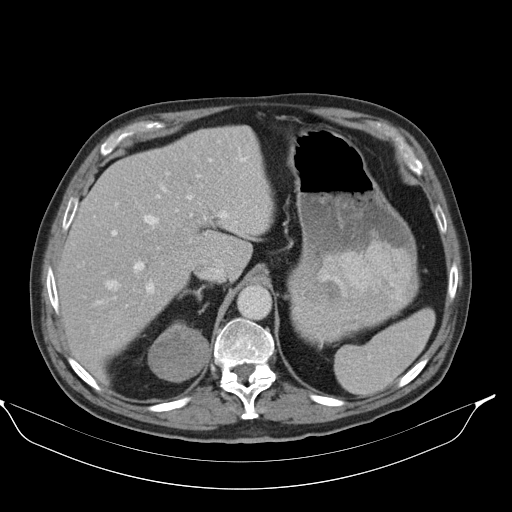
Axial slice 74 of 98 of a contrast-enhanced abdominal CT (slice 1 is the lowest), 130 kVp, kernel B30s; 5.00 mm slice thickness and 0.840 mm pixels.
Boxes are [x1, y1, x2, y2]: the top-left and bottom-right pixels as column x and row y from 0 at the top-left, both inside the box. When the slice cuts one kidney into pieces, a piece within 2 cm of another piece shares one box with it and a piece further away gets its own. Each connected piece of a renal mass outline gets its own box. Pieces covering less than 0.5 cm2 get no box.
Box [148, 323, 209, 382]: right renal mass (outlined area 2,755 px, about 19.4 cm2); no kidney outline appears on this slice, but the same outlined renal mass comes within 1 cm of the kidney on another slice.